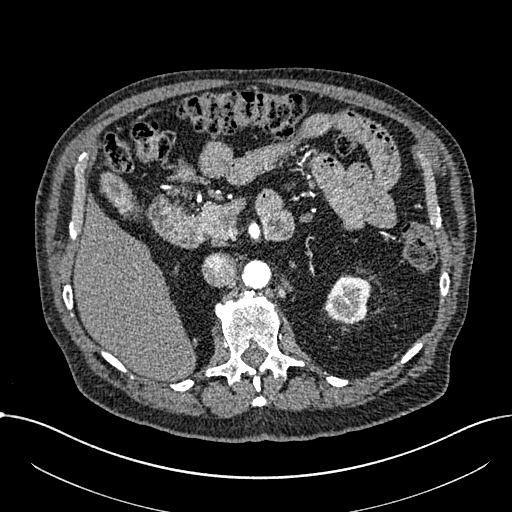
One axial slice (448 of 1059, counting up from the lowest) of an arterial-phase abdominal CT acquired with 100 kVp, kernel I30f; each pixel is 0.811 mm and the slice is 1.00 mm thick.
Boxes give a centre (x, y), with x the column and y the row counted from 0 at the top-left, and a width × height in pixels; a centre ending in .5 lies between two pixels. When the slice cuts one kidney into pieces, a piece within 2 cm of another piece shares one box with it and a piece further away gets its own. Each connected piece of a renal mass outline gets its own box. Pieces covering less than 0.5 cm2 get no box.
Box centre (347.5, 299.5), 48 × 50 pixels: left part of the midline-crossing kidney (outlined area 1,775 px, about 11.7 cm2). This slice carries no renal mass outline.